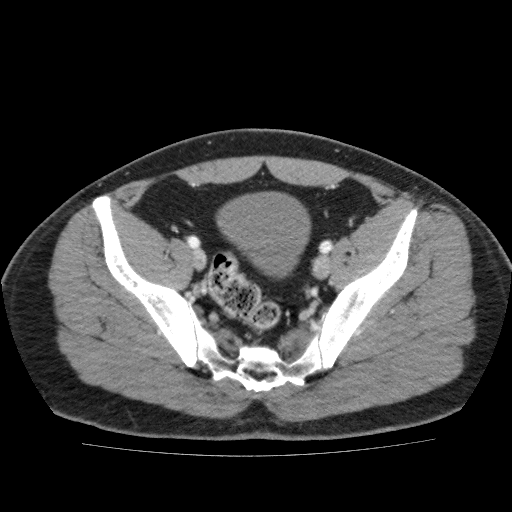
Abdominal CT with intravenous contrast, axial plane, 120 kVp, kernel FC13. Slice 40/159 from the bottom of the scan; thickness 3.00 mm; pixel size 0.668 mm.
No kidney and no renal mass is outlined on this slice; the outlines in this scan cover only the kidneys and the renal masses, so nothing is said about any other organ.